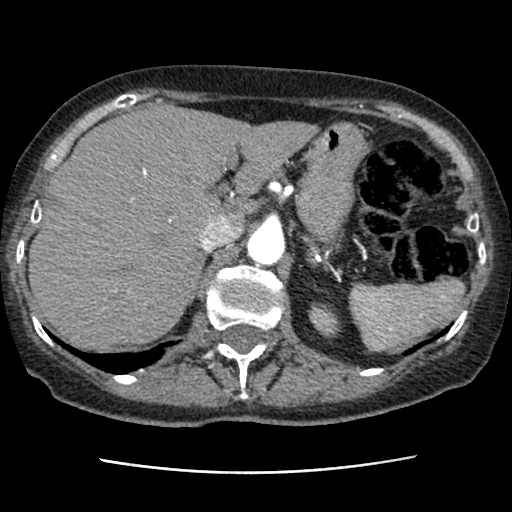
Abdominal CT with intravenous contrast, axial plane, 120 kVp, kernel STANDARD. Slice 66/76 from the bottom of the scan; thickness 2.50 mm; pixel size 0.586 mm.
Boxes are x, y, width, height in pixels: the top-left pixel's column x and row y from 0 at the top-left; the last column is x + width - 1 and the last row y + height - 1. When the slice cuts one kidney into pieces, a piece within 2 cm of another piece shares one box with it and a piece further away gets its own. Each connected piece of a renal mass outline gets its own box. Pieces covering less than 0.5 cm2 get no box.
Box x 308, y 302, width 33, height 36: left kidney (outlined area 804 px, about 2.8 cm2). This slice carries no renal mass outline.